Abdominal CT with intravenous contrast, arterial phase, axial plane, 120 kVp, kernel B31f. Slice 173/326 from the bottom of the scan; thickness 2.00 mm; pixel size 0.963 mm.
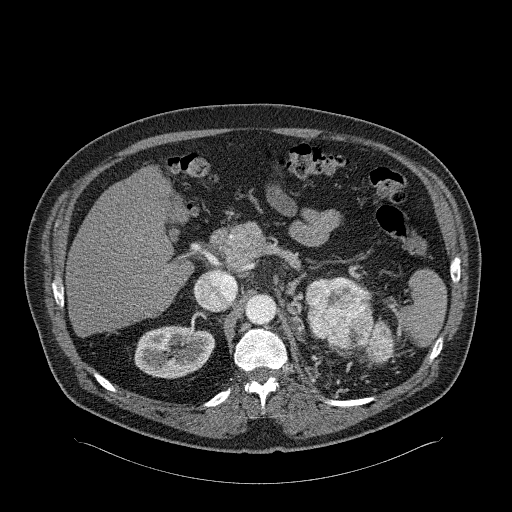
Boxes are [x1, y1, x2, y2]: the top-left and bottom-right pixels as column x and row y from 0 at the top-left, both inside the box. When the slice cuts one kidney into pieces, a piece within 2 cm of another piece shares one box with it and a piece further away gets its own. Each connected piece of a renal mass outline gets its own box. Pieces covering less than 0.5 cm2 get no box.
Three boxes on this slice (two kidney boxes and one renal mass box), listed by box centre from the image's left to its right. (1) Right kidney at [134, 325, 214, 378] (outlined area 3,393 px, about 31.5 cm2). (2) Left kidney at [305, 278, 327, 308] (outlined area 239 px, about 2.2 cm2). (3) Box [307, 277, 400, 365]: left renal mass (outlined area 5,027 px, about 46.6 cm2).